One axial slice (553 of 738, counting up from the lowest) of an arterial-phase abdominal CT acquired with 120 kVp, kernel I30f; each pixel is 0.789 mm and the slice is 1.00 mm thick.
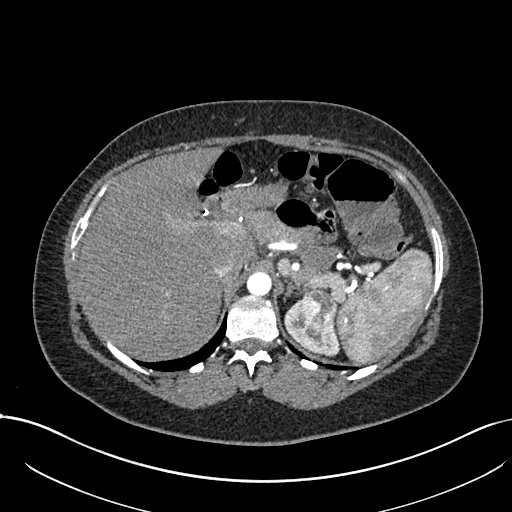
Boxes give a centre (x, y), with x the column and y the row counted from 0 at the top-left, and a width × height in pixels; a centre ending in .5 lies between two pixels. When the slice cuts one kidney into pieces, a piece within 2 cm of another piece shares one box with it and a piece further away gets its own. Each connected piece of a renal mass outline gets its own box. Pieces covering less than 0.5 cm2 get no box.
One kidney box and one renal mass box on this slice; by box centre, from the image's left to its right: (1) Left kidney in a box with centre (311.5, 327.5), 56 × 58 pixels (outlined area 1,352 px, about 8.4 cm2). (2) Left renal mass, box centre (318, 312.5), 35 × 48 pixels (outlined area 1,355 px, about 8.4 cm2).